Contrast-enhanced abdominal CT, axial slice 624 of 834 (counted from the lowest slice); tube voltage 140 kVp, convolution kernel I30f; slices 1.00 mm thick, 0.977 mm per pixel.
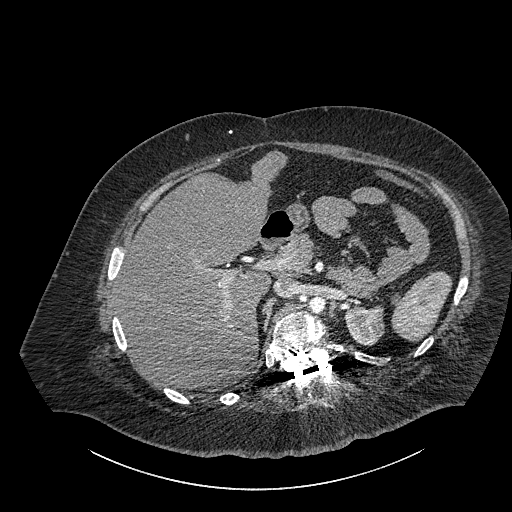
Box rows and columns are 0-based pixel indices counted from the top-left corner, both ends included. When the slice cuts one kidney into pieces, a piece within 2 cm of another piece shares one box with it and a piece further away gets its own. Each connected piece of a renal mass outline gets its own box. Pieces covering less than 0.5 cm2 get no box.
Left part of the midline-crossing kidney, box rows 305–345, columns 344–384 (outlined area 1,294 px, about 12.3 cm2). No renal mass is outlined on this slice.